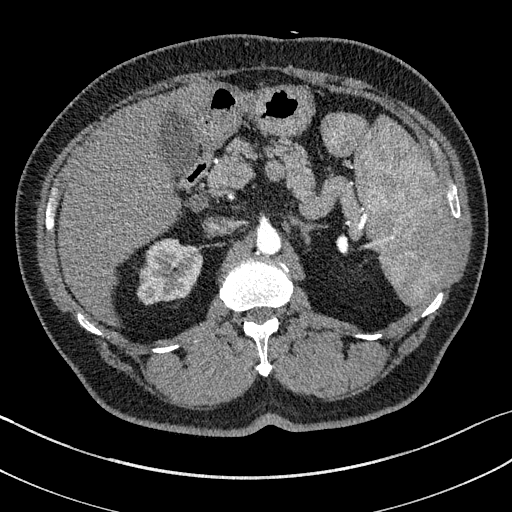
Abdominal CT with intravenous contrast, arterial phase, axial plane, 100 kVp, kernel I31f. Slice 105/195 from the bottom of the scan; thickness 1.50 mm; pixel size 0.707 mm.
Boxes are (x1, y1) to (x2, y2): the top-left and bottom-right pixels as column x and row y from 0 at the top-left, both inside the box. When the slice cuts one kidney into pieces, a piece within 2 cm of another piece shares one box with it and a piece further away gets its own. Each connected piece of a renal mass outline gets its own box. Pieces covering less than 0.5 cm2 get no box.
Right kidney, box (137, 238) to (202, 304) (outlined area 3,186 px, about 15.9 cm2). This slice carries no renal mass outline.